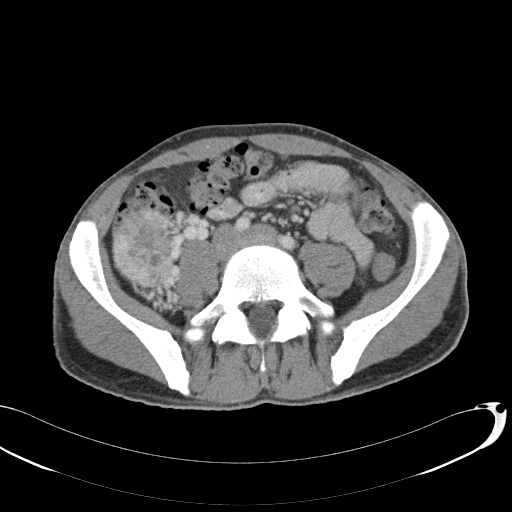
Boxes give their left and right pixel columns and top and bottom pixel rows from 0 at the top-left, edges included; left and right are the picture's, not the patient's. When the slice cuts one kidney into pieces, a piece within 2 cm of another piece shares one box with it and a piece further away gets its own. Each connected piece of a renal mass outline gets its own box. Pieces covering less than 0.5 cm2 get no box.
Slice 46/146 of a contrast-enhanced abdominal CT, counting up from the lowest; pixel size 0.742 mm, slice thickness 5.00 mm. Box with left 111, top 210, right 178, bottom 286: right renal mass (outlined area 4,129 px, about 22.7 cm2); this slice has no kidney outline, though on another slice the same outlined renal mass lies within 1 cm of the kidney.
Acquired at 120 kVp and reconstructed with the B31f kernel.